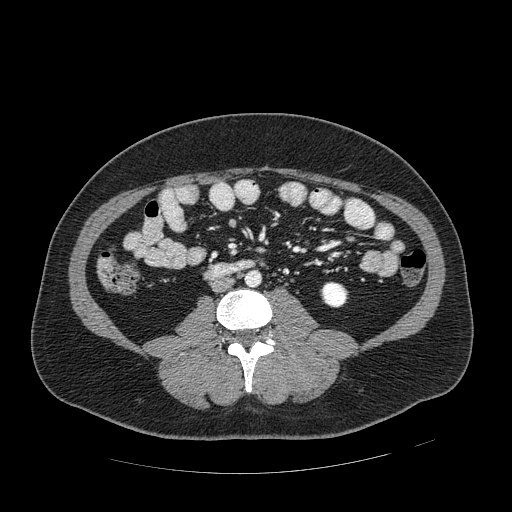
One axial slice (213 of 389, counting up from the lowest) of an arterial-phase abdominal CT acquired with 120 kVp, kernel STANDARD; each pixel is 0.869 mm and the slice is 1.25 mm thick.
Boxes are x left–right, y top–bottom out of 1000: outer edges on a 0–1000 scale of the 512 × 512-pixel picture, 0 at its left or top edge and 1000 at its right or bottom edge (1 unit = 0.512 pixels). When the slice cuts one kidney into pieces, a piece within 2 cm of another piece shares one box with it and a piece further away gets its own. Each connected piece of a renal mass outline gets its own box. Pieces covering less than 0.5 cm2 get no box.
Left kidney at x 625–682, y 549–602 out of 1000 (outlined area 605 px, about 4.6 cm2). No renal mass is outlined on this slice.